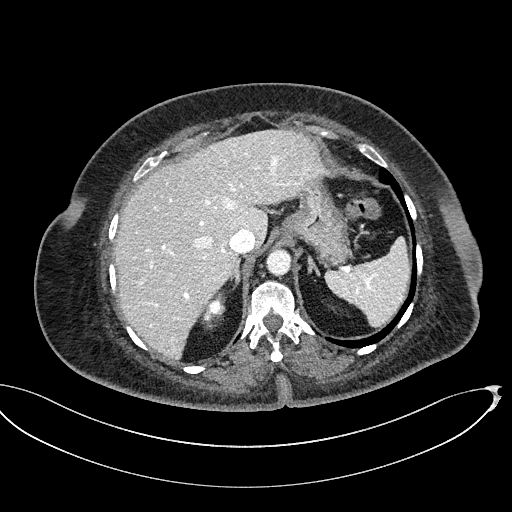
Contrast-enhanced abdominal CT, axial slice 368 of 439 (counted from the lowest slice); tube voltage 100 kVp, convolution kernel I40f; slices 2.00 mm thick, 0.850 mm per pixel.
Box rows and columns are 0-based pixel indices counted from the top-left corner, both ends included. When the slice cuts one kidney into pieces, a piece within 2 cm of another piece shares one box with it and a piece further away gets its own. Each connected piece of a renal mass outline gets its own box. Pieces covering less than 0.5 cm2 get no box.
Box rows 290–329, columns 201–225: right kidney (outlined area 643 px, about 4.6 cm2). No renal mass outline on this slice.